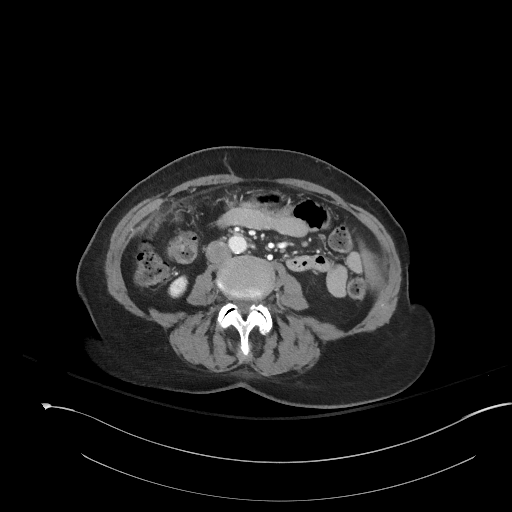
One axial slice (82 of 153, counting up from the lowest) of a contrast-enhanced abdominal CT acquired with 120 kVp, kernel I41f; each pixel is 0.893 mm and the slice is 3.00 mm thick.
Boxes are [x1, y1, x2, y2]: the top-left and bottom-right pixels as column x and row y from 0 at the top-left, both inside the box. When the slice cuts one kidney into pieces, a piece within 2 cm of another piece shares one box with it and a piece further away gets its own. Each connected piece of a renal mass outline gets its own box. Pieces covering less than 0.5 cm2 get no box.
Box [168, 275, 188, 298]: right kidney (outlined area 340 px, about 2.7 cm2). This slice carries no renal mass outline.